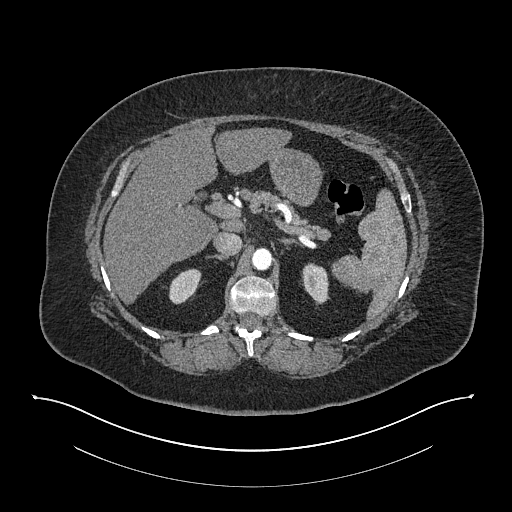
Axial slice 563 of 673 of a contrast-enhanced abdominal CT in the arterial phase (slice 1 is the lowest), 140 kVp, kernel I30f; 1.00 mm slice thickness and 0.957 mm pixels.
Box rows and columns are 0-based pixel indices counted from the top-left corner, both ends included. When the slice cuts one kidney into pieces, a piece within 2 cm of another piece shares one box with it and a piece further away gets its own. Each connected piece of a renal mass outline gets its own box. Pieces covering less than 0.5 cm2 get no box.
Two boxes on this slice (two kidney boxes), listed by box centre from the image's left to its right. (1) Right kidney, box rows 268–304, columns 168–201 (outlined area 839 px, about 7.7 cm2). (2) Left kidney, box rows 263–305, columns 302–329 (outlined area 865 px, about 7.9 cm2). No renal mass outline on this slice.